One axial slice (178 of 548, counting up from the lowest) of an arterial-phase abdominal CT acquired with 120 kVp, kernel I26f; each pixel is 0.852 mm and the slice is 1.00 mm thick.
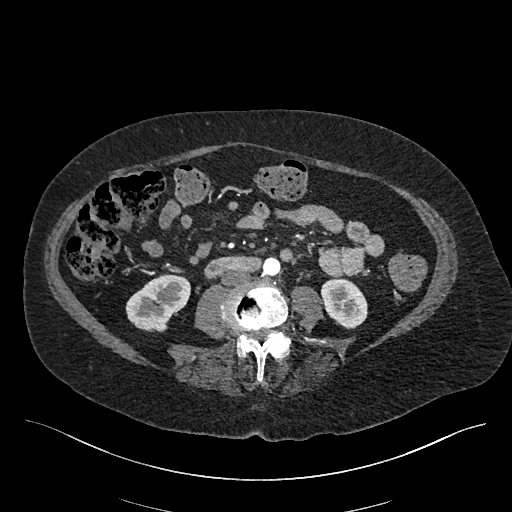
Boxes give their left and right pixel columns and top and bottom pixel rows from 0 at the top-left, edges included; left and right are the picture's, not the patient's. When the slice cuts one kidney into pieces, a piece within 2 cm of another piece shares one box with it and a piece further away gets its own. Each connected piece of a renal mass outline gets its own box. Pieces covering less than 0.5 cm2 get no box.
Two boxes on this slice (two kidney boxes), listed by box centre from the image's left to its right. (1) Right kidney, the box with left 125, top 274, right 189, bottom 331 (outlined area 2,584 px, about 18.7 cm2). (2) Box with left 321, top 277, right 367, bottom 329: left kidney (outlined area 1,800 px, about 13.1 cm2). This slice carries no renal mass outline.